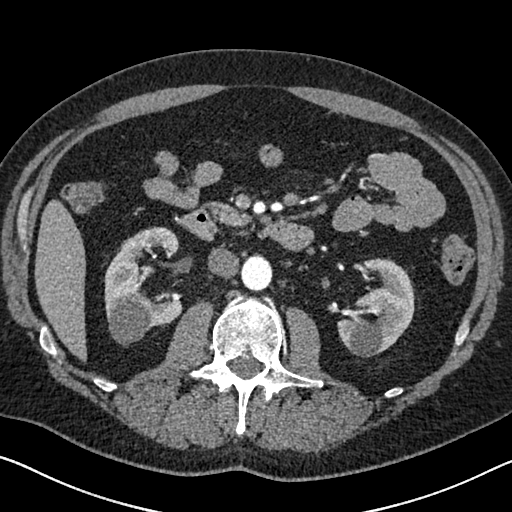
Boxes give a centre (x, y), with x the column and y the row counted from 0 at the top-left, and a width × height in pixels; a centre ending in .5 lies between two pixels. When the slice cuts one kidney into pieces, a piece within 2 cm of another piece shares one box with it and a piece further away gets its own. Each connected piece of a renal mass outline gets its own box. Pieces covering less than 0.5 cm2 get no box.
Arterial-phase contrast-enhanced abdominal CT, axial slice 373 of 626 (counted from the lowest slice); 1.00 mm thick, 0.703 mm per pixel. Two kidney boxes on this slice; by box centre, from the image's left to its right: (1) Box centre (143.5, 286), 80 × 121 pixels: right kidney (outlined area 6,037 px, about 29.8 cm2). (2) Left kidney, box centre (375, 307.5), 79 × 100 pixels (outlined area 4,974 px, about 24.6 cm2). No renal mass is outlined on this slice.
Tube voltage 120 kVp; convolution kernel I30f.